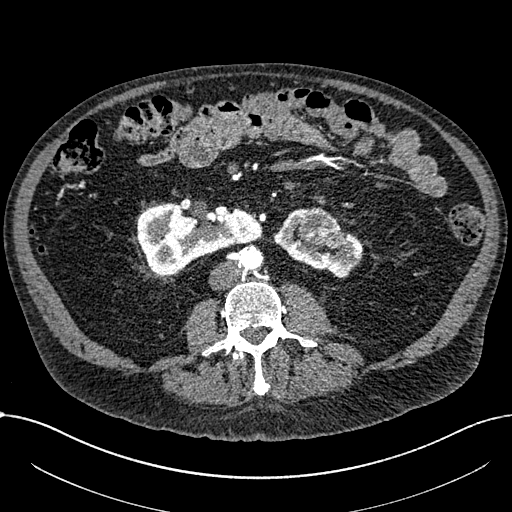
Axial slice 319 of 1059 of a contrast-enhanced abdominal CT in the arterial phase (slice 1 is the lowest), 100 kVp, kernel I30f; 1.00 mm slice thickness and 0.811 mm pixels.
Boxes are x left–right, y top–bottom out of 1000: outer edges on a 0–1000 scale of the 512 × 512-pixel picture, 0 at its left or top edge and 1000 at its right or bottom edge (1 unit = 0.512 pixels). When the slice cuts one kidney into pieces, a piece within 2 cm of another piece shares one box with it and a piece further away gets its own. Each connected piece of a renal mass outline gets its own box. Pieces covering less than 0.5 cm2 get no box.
Three boxes on this slice (two kidney boxes and one renal mass box), listed by box centre from the image's left to its right. (1) Box x 268–514, y 393–535 out of 1000: right part of the midline-crossing kidney (outlined area 6,163 px, about 40.5 cm2). (2) Left part of the midline-crossing kidney, box x 535–711, y 406–545 out of 1000 (outlined area 2,587 px, about 17.0 cm2). (3) Box x 578–674, y 404–488 out of 1000: renal mass (outlined area 1,468 px, about 9.6 cm2).